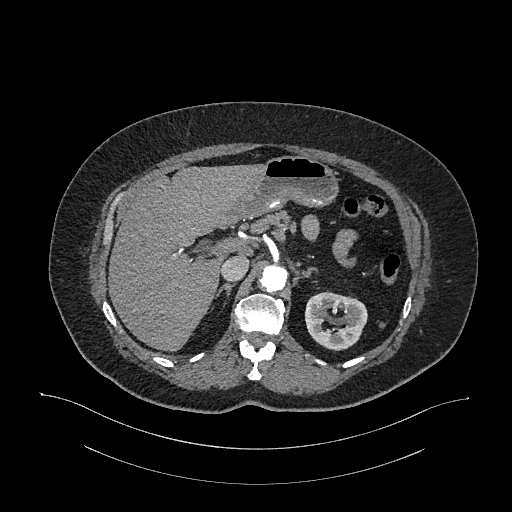
Axial slice 751 of 987 of a contrast-enhanced abdominal CT in the arterial phase (slice 1 is the lowest), 120 kVp, kernel I26f; 1.00 mm slice thickness and 0.977 mm pixels.
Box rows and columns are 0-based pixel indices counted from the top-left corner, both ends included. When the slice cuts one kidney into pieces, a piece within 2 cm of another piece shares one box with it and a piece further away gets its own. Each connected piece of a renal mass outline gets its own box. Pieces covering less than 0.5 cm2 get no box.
Box rows 291–350, columns 305–367: left kidney (outlined area 2,776 px, about 26.5 cm2). No renal mass outline on this slice.